One axial slice (48 of 105, counting up from the lowest) of a contrast-enhanced abdominal CT acquired with 120 kVp, kernel B; each pixel is 0.977 mm and the slice is 3.00 mm thick.
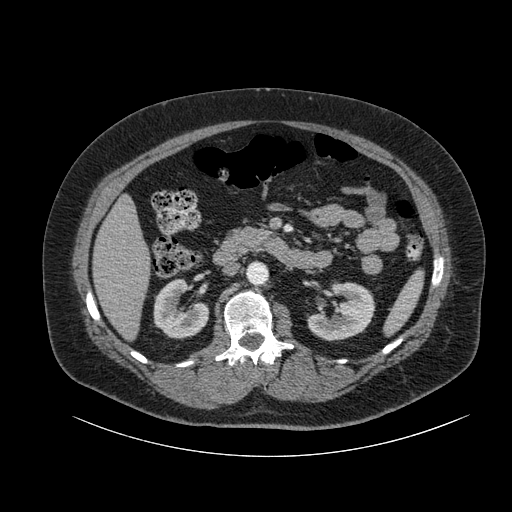
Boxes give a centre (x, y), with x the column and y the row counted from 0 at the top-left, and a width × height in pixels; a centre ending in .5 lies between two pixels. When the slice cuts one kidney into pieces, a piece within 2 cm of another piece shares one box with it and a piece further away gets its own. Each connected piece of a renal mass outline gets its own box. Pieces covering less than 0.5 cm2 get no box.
Boxed on this slice (two kidney boxes), listed by box centre from the image's left to its right: (1) Right kidney, box centre (181, 308), 57 × 61 pixels (outlined area 2,348 px, about 22.4 cm2). (2) Box centre (340.5, 311.5), 70 × 60 pixels: left kidney (outlined area 2,820 px, about 26.9 cm2). This slice carries no renal mass outline.